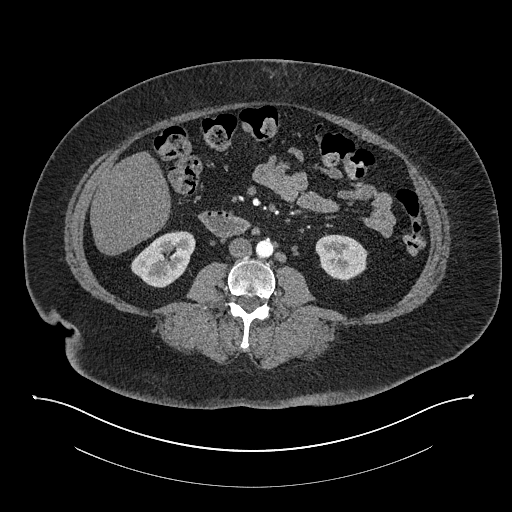
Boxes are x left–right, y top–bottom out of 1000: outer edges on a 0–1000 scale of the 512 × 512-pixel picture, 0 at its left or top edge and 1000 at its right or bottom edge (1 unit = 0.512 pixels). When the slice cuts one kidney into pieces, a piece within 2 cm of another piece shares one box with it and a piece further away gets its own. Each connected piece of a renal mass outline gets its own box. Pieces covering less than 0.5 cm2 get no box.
Slice 381/673 of a contrast-enhanced abdominal CT in the arterial phase, counting up from the lowest; pixel size 0.957 mm, slice thickness 1.00 mm. Two kidney boxes on this slice; by box centre, from the image's left to its right: (1) Right kidney at x 256–383, y 451–563 out of 1000 (outlined area 2,494 px, about 22.8 cm2). (2) Box x 615–719, y 457–553 out of 1000: left kidney (outlined area 1,886 px, about 17.3 cm2). No renal mass outline on this slice.
Tube voltage 140 kVp; convolution kernel I30f.